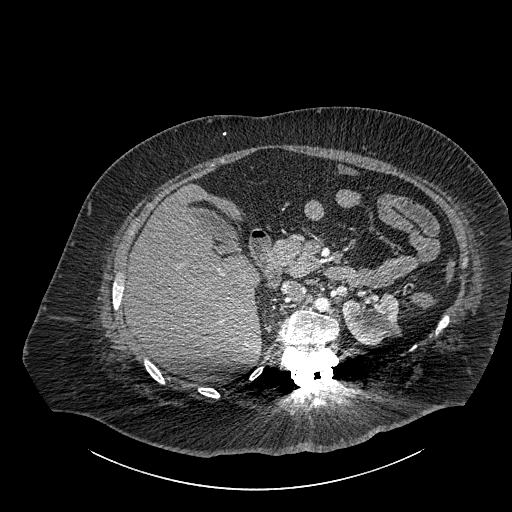
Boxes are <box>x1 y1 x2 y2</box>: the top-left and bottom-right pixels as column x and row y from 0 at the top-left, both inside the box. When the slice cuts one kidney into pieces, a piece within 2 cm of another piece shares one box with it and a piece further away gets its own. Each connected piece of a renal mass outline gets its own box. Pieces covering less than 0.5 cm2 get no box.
This is axial slice 588 of 834 (slice 1 is the lowest) of an abdominal CT with contrast; each pixel is 0.977 mm and the slice is 1.00 mm thick. Left part of the midline-crossing kidney: <box>342 292 400 345</box> (outlined area 2,355 px, about 22.5 cm2). No renal mass outline on this slice.
Scan settings: 140 kVp, I30f reconstruction kernel.